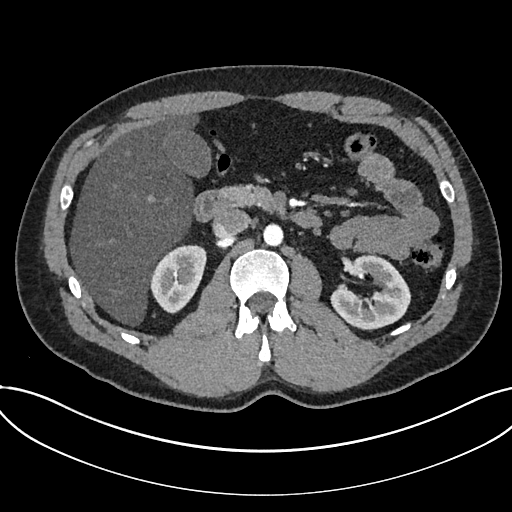
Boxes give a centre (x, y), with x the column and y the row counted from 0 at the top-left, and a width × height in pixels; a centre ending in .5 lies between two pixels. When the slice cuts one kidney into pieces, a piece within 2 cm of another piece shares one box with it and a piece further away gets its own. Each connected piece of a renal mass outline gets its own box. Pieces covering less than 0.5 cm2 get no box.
Arterial-phase contrast-enhanced abdominal CT, axial slice 439 of 735 (counted from the lowest slice); 1.00 mm thick, 0.789 mm per pixel. Two kidney boxes on this slice; by box centre, from the image's left to its right: (1) Kidney, box centre (178.5, 278.5), 56 × 68 pixels (outlined area 2,765 px, about 17.2 cm2). (2) Kidney, box centre (369.5, 292.5), 80 × 76 pixels (outlined area 3,970 px, about 24.7 cm2). This slice carries no renal mass outline.
Acquired at 120 kVp and reconstructed with the I30f kernel.